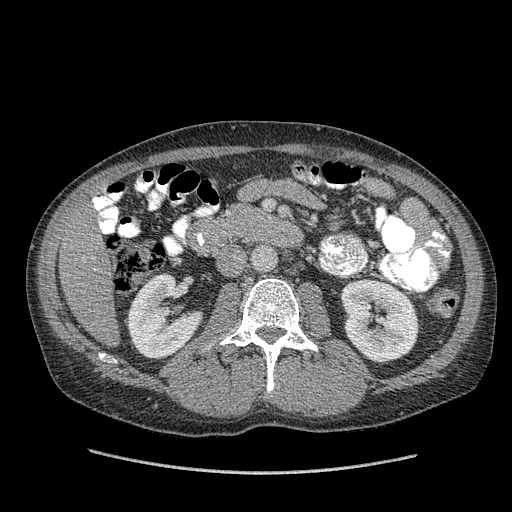
One axial slice (198 of 349, counting up from the lowest) of an arterial-phase abdominal CT acquired with 120 kVp, kernel STANDARD; each pixel is 0.742 mm and the slice is 1.25 mm thick.
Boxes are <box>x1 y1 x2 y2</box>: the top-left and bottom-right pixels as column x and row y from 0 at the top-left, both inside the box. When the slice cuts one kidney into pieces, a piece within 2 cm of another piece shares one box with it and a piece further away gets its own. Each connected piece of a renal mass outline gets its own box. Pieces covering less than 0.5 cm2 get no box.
Two kidney boxes on this slice; by box centre, from the image's left to its right: (1) Right kidney at <box>127 273 203 359</box> (outlined area 4,459 px, about 24.6 cm2). (2) Left kidney at <box>340 278 419 362</box> (outlined area 5,208 px, about 28.7 cm2). This slice carries no renal mass outline.